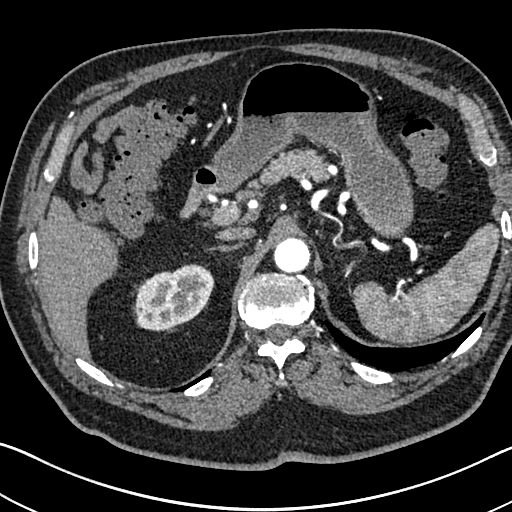
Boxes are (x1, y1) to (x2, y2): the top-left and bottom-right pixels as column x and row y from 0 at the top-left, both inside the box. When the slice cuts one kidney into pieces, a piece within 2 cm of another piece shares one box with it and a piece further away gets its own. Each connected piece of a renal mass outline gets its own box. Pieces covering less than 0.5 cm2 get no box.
Arterial-phase contrast-enhanced abdominal CT, axial slice 530 of 705 (counted from the lowest slice); 1.00 mm thick, 0.703 mm per pixel. Box (135, 264) to (213, 331): right kidney (outlined area 3,893 px, about 19.2 cm2). This slice carries no renal mass outline.
Scan settings: 120 kVp, I30f reconstruction kernel.